Axial slice 457 of 673 of a contrast-enhanced abdominal CT in the arterial phase (slice 1 is the lowest), 140 kVp, kernel I30f; 1.00 mm slice thickness and 0.957 mm pixels.
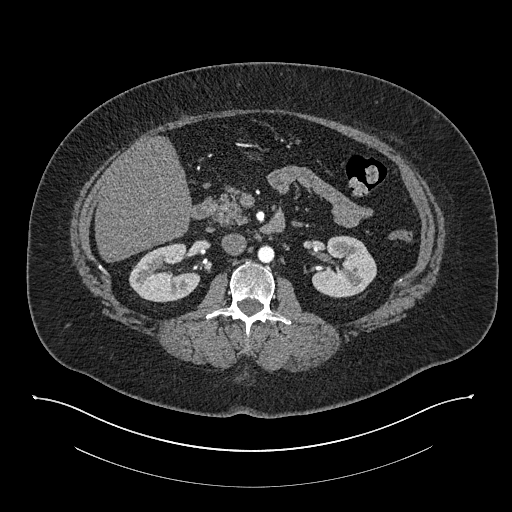
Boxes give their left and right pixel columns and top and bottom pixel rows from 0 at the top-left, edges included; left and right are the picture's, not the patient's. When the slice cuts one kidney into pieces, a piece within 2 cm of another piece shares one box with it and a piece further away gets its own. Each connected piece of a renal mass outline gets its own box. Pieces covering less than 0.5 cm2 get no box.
Two kidney boxes on this slice; by box centre, from the image's left to its right: (1) Box with left 129, top 243, right 200, bottom 302: right kidney (outlined area 2,989 px, about 27.4 cm2). (2) Left kidney in the box with left 311, top 235, right 376, bottom 297 (outlined area 3,002 px, about 27.5 cm2). No renal mass outline on this slice.